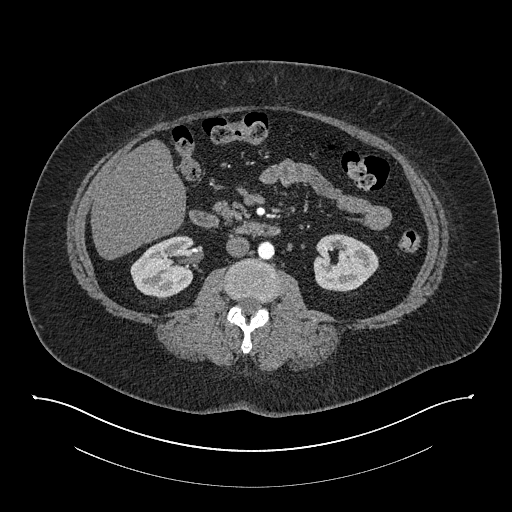
Abdominal CT with intravenous contrast, arterial phase, axial plane, 140 kVp, kernel I30f. Slice 424/673 from the bottom of the scan; thickness 1.00 mm; pixel size 0.957 mm.
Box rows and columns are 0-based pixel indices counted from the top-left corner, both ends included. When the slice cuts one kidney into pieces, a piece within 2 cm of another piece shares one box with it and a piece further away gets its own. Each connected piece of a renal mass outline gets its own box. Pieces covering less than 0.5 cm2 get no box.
Two kidney boxes on this slice; by box centre, from the image's left to its right: (1) Right kidney at rows 235–299, columns 130–194 (outlined area 3,071 px, about 28.1 cm2). (2) Left kidney at rows 233–292, columns 313–378 (outlined area 2,900 px, about 26.6 cm2). No renal mass outline on this slice.